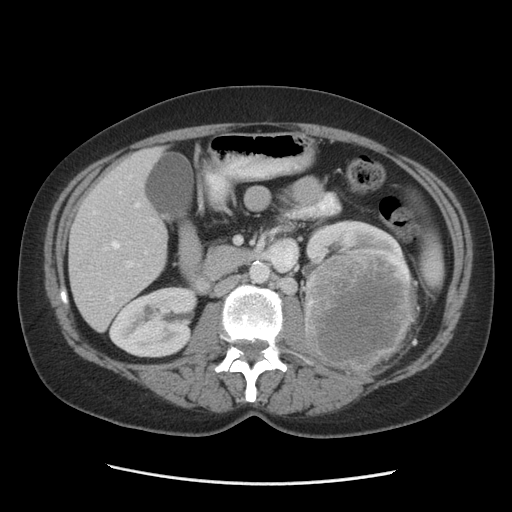
Abdominal CT with intravenous contrast, axial plane, 140 kVp, kernel STANDARD. Slice 51/84 from the bottom of the scan; thickness 5.00 mm; pixel size 0.717 mm.
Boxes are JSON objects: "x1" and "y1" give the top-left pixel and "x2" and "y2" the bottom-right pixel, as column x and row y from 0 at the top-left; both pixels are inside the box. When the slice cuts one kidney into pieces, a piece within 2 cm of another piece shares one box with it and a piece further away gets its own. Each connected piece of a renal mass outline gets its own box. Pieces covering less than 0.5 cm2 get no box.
Boxed on this slice (two kidney boxes and one renal mass box), listed by box centre from the image's left to its right: (1) Right kidney at {"x1": 107, "y1": 286, "x2": 197, "y2": 357} (outlined area 4,807 px, about 24.7 cm2). (2) Left kidney at {"x1": 305, "y1": 220, "x2": 406, "y2": 270} (outlined area 2,615 px, about 13.4 cm2). (3) Left renal mass at {"x1": 302, "y1": 247, "x2": 420, "y2": 377} (outlined area 12,226 px, about 62.8 cm2).